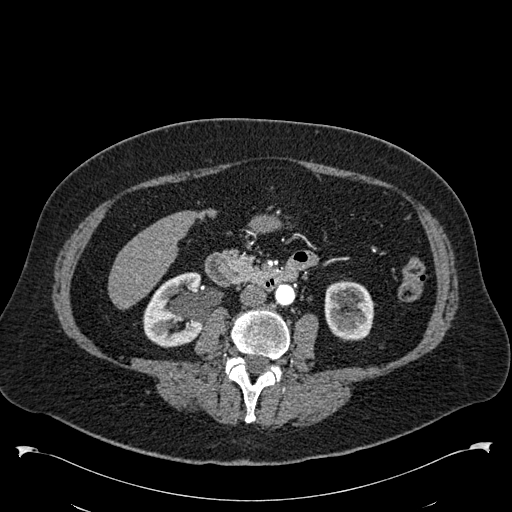
One axial slice (270 of 538, counting up from the lowest) of an arterial-phase abdominal CT acquired with 120 kVp, kernel B30f; each pixel is 0.811 mm and the slice is 1.00 mm thick.
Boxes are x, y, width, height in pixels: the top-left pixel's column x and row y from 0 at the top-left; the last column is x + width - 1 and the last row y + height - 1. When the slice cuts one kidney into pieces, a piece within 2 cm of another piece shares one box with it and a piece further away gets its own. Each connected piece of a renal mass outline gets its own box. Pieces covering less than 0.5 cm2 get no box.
Boxed on this slice (two kidney boxes), listed by box centre from the image's left to its right: (1) Right kidney, box x 143, y 272, width 60, height 76 (outlined area 3,481 px, about 22.9 cm2). (2) Left kidney at x 324, y 280, width 51, height 62 (outlined area 2,501 px, about 16.4 cm2). No renal mass is outlined on this slice.